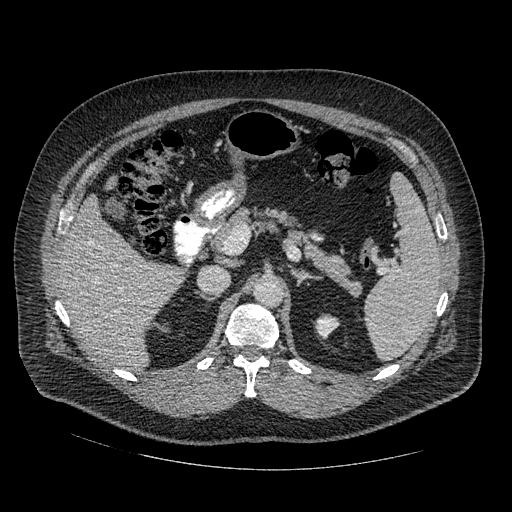
Axial slice 313 of 445 of a contrast-enhanced abdominal CT in the arterial phase (slice 1 is the lowest), 120 kVp, kernel STANDARD; 1.25 mm slice thickness and 0.863 mm pixels.
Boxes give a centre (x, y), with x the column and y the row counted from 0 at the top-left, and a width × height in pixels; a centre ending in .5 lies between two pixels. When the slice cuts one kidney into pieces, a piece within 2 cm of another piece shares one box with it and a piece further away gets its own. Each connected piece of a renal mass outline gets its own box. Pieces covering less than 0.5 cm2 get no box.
Left kidney, box centre (326.5, 326.5), 28 × 28 pixels (outlined area 482 px, about 3.6 cm2). No renal mass is outlined on this slice.